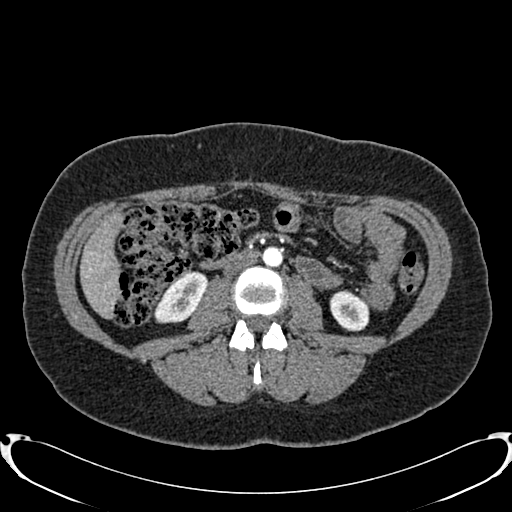
Axial slice 389 of 719 of a contrast-enhanced abdominal CT in the arterial phase (slice 1 is the lowest), 120 kVp, kernel B20f; 1.00 mm slice thickness and 0.766 mm pixels.
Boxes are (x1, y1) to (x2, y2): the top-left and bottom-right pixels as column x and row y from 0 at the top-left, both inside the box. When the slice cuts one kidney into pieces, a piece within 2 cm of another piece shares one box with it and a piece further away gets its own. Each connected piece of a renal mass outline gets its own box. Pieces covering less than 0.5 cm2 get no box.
Two kidney boxes on this slice; by box centre, from the image's left to its right: (1) Right kidney, box (154, 271) to (207, 323) (outlined area 1,873 px, about 11.0 cm2). (2) Left kidney, box (329, 290) to (369, 331) (outlined area 1,272 px, about 7.5 cm2). No renal mass is outlined on this slice.